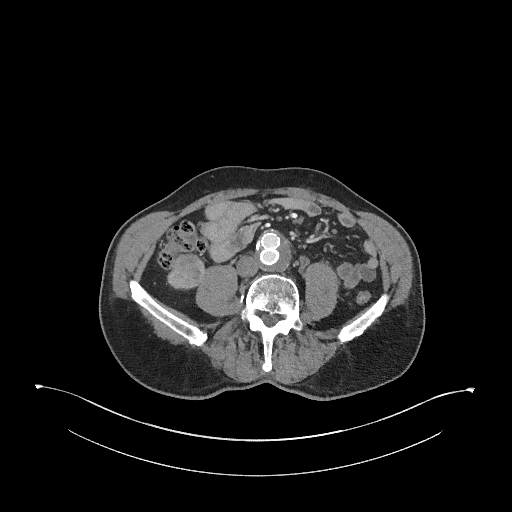
Axial slice 117 of 345 of a contrast-enhanced abdominal CT in the arterial phase (slice 1 is the lowest), 120 kVp, kernel I31f; 2.00 mm slice thickness and 0.977 mm pixels.
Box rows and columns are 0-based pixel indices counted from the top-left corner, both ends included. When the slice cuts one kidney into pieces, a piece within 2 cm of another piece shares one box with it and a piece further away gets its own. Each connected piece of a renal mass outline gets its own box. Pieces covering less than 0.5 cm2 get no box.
One kidney box and one renal mass box on this slice; by box centre, from the image's left to its right: (1) Right kidney at rows 282–290, columns 171–200 (outlined area 97 px, about 0.9 cm2). (2) Box rows 253–286, columns 167–205: right renal mass (outlined area 1,034 px, about 9.9 cm2).